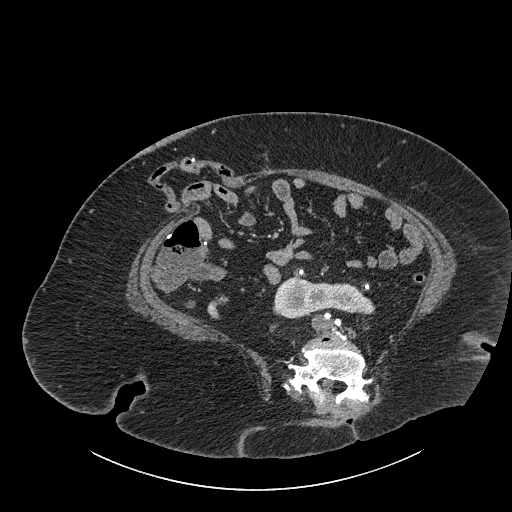
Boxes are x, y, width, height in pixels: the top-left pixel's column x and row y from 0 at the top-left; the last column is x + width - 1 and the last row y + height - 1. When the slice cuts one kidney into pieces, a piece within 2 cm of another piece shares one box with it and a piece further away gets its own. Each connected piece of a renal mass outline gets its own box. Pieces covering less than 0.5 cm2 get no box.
This is axial slice 418 of 834 (slice 1 is the lowest) of an abdominal CT with contrast; each pixel is 0.977 mm and the slice is 1.00 mm thick. Kidney crossing the body midline at x 272, y 276, width 104, height 43 (outlined area 2,986 px, about 28.5 cm2). This slice carries no renal mass outline.
Tube voltage 140 kVp; convolution kernel I30f.